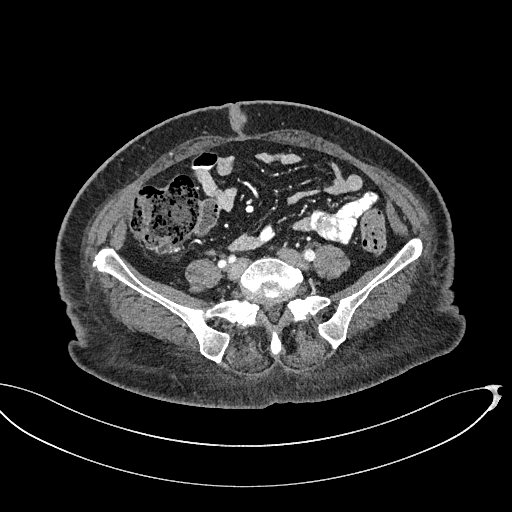
This is axial slice 195 of 439 (slice 1 is the lowest) of an abdominal CT with contrast; each pixel is 0.850 mm and the slice is 2.00 mm thick. Outside the outlined region: no kidney outline and no renal mass outline on this slice. The scan's outlines cover only kidneys and renal masses; no other organ is outlined.
Acquired at 100 kVp and reconstructed with the I40f kernel.